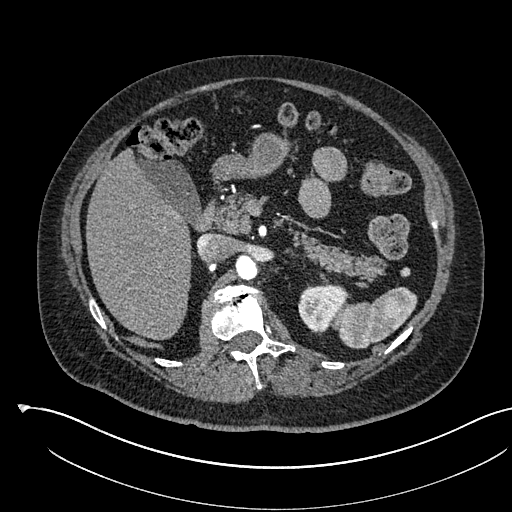
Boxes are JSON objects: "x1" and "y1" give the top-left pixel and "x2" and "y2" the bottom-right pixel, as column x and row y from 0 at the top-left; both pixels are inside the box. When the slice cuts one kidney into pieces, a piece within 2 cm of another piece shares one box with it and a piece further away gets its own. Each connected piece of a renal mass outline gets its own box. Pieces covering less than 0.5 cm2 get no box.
Arterial-phase contrast-enhanced abdominal CT, axial slice 374 of 541 (counted from the lowest slice); 1.00 mm thick, 0.834 mm per pixel. Box {"x1": 298, "y1": 282, "x2": 346, "y2": 335}: left kidney (outlined area 1,735 px, about 12.1 cm2). No renal mass is outlined on this slice.
Tube voltage 120 kVp; convolution kernel I30f.